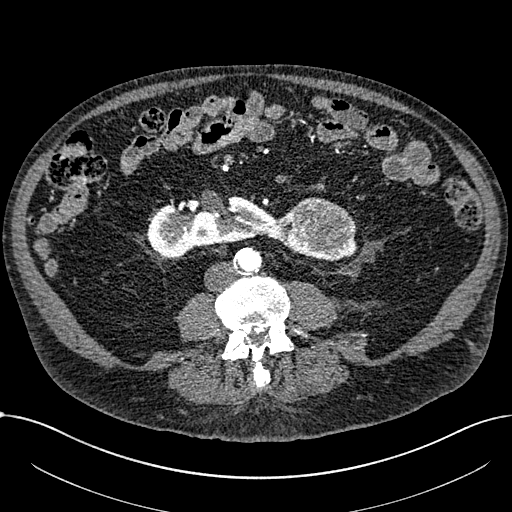
Abdominal CT with intravenous contrast, arterial phase, axial plane, 100 kVp, kernel I30f. Slice 279/1059 from the bottom of the scan; thickness 1.00 mm; pixel size 0.811 mm.
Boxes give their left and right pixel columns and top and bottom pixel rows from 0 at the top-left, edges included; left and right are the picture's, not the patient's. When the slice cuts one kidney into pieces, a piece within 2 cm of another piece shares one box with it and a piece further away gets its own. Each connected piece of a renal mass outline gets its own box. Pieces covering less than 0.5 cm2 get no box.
One kidney box and one renal mass box on this slice; by box centre, from the image's left to its right: (1) Kidney crossing the body midline in the box with left 147, top 195, right 339, bottom 261 (outlined area 5,997 px, about 39.4 cm2). (2) Renal mass, the box with left 288, top 197, right 356, bottom 258 (outlined area 3,213 px, about 21.1 cm2).